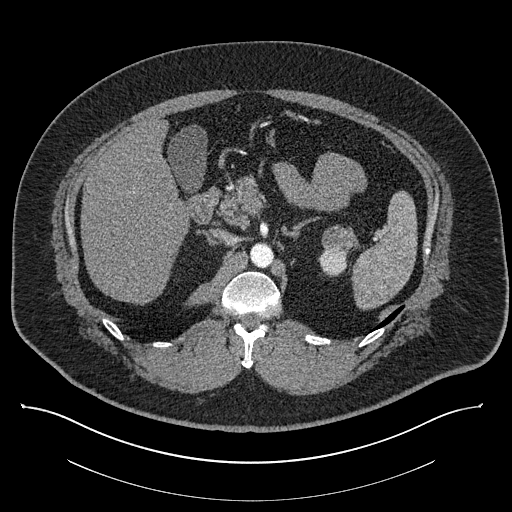
One axial slice (559 of 787, counting up from the lowest) of a contrast-enhanced abdominal CT acquired with 140 kVp, kernel I30f; each pixel is 0.910 mm and the slice is 1.00 mm thick.
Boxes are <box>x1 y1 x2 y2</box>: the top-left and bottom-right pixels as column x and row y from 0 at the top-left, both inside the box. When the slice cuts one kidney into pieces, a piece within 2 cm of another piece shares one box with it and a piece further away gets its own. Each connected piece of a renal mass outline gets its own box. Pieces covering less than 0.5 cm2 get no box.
Two boxes on this slice (one kidney box and one renal mass box), listed by box centre from the image's left to its right. (1) Left kidney: <box>317 248 347 276</box> (outlined area 588 px, about 4.9 cm2). (2) Left renal mass at <box>321 225 354 253</box> (outlined area 746 px, about 6.2 cm2).